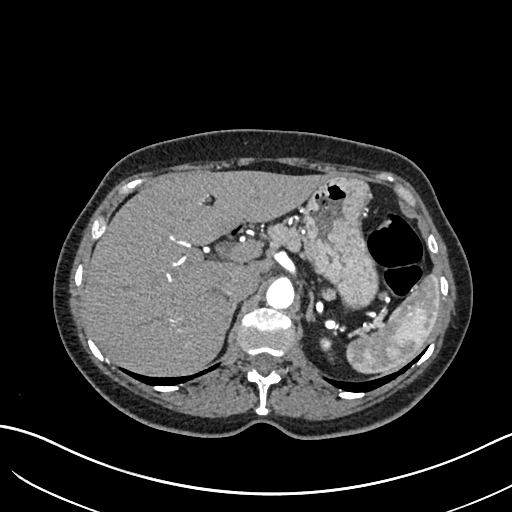
One axial slice (477 of 683, counting up from the lowest) of an arterial-phase abdominal CT acquired with 120 kVp, kernel I30f; each pixel is 0.738 mm and the slice is 1.00 mm thick.
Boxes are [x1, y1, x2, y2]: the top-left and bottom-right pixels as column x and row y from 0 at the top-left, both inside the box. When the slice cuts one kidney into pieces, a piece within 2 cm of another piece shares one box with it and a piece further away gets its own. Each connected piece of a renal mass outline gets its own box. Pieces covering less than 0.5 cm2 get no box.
Left kidney at [320, 341, 331, 352] (outlined area 109 px, about 0.6 cm2). No renal mass is outlined on this slice.